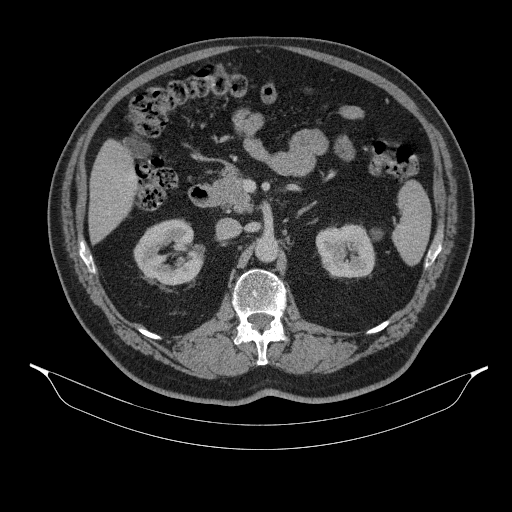
Contrast-enhanced abdominal CT, axial slice 212 of 314 (counted from the lowest slice); tube voltage 130 kVp, convolution kernel B31s; slices 2.50 mm thick, 0.934 mm per pixel.
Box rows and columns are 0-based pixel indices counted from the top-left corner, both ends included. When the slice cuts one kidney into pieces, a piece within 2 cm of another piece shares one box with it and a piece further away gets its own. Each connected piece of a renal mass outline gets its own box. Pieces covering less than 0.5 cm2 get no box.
Two kidney boxes on this slice; by box centre, from the image's left to its right: (1) Right kidney, box rows 219–285, columns 133–204 (outlined area 3,377 px, about 29.4 cm2). (2) Left kidney, box rows 225–277, columns 315–382 (outlined area 2,714 px, about 23.7 cm2). No renal mass is outlined on this slice.